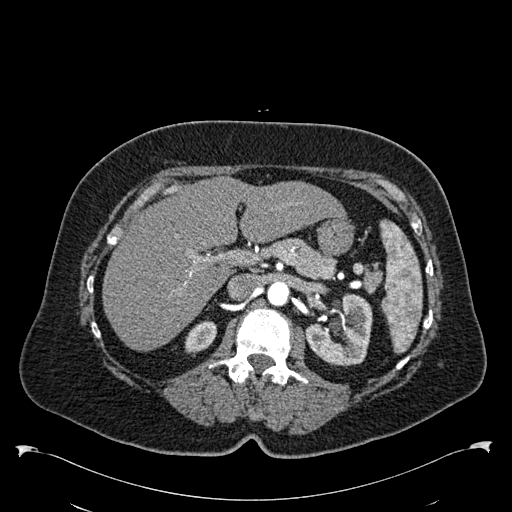
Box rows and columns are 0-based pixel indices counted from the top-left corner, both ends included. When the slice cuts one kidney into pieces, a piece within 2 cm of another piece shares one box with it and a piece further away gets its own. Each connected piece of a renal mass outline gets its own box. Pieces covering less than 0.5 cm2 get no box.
Arterial-phase contrast-enhanced abdominal CT, axial slice 377 of 538 (counted from the lowest slice); 1.00 mm thick, 0.811 mm per pixel. Boxed on this slice (two kidney boxes), listed by box centre from the image's left to its right: (1) Right kidney, box rows 320–356, columns 184–216 (outlined area 785 px, about 5.2 cm2). (2) Box rows 293–366, columns 305–372: left kidney (outlined area 3,467 px, about 22.8 cm2). No renal mass is outlined on this slice.
Acquired at 120 kVp and reconstructed with the B30f kernel.